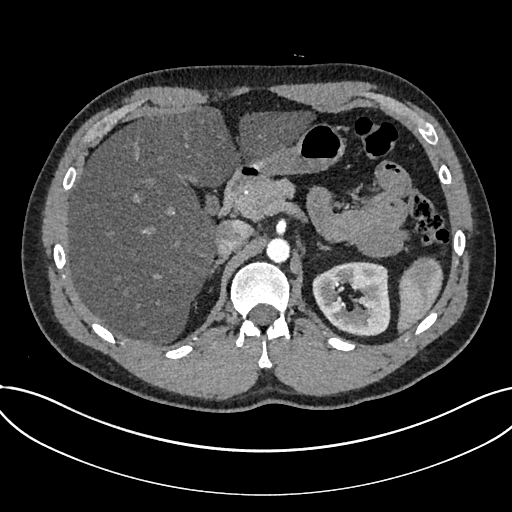
Axial slice 510 of 735 of a contrast-enhanced abdominal CT in the arterial phase (slice 1 is the lowest), 120 kVp, kernel I30f; 1.00 mm slice thickness and 0.789 mm pixels.
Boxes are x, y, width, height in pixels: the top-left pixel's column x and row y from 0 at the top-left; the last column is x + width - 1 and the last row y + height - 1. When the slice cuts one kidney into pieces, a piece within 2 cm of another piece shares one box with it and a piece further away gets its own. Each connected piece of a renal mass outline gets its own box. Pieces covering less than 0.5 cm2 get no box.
Box x 312, y 261, width 79, height 76: kidney (outlined area 4,529 px, about 28.2 cm2). No renal mass outline on this slice.